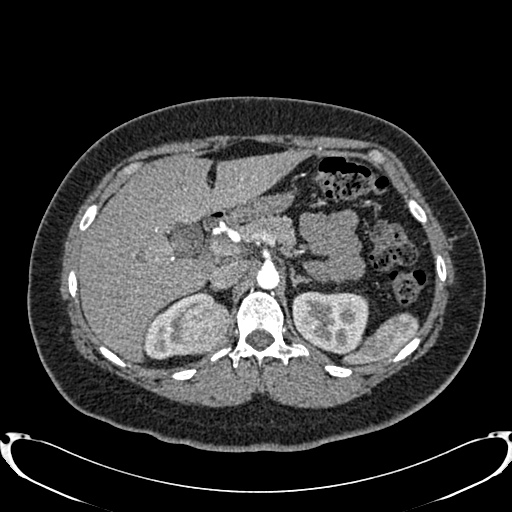
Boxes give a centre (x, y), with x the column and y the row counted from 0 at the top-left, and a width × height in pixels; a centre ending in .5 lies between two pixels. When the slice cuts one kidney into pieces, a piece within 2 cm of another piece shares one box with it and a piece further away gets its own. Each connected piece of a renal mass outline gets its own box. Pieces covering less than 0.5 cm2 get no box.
This is axial slice 560 of 719 (slice 1 is the lowest) of an arterial-phase abdominal CT with contrast; each pixel is 0.766 mm and the slice is 1.00 mm thick. Three boxes on this slice (two kidney boxes and one renal mass box), listed by box centre from the image's left to its right. (1) Right kidney in a box with centre (177, 325), 69 × 69 pixels (outlined area 1,676 px, about 9.8 cm2). (2) Right renal mass, box centre (201.5, 325.5), 58 × 60 pixels (outlined area 2,620 px, about 15.4 cm2). (3) Left kidney in a box with centre (330.5, 322.5), 78 × 64 pixels (outlined area 3,921 px, about 23.0 cm2).
Tube voltage 120 kVp; convolution kernel B20f.